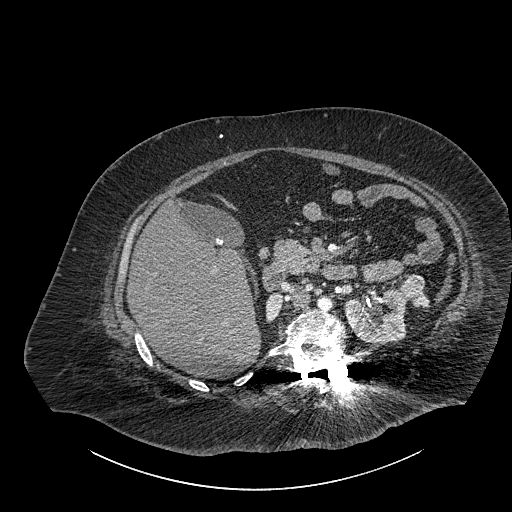
One axial slice (568 of 834, counting up from the lowest) of a contrast-enhanced abdominal CT acquired with 140 kVp, kernel I30f; each pixel is 0.977 mm and the slice is 1.00 mm thick.
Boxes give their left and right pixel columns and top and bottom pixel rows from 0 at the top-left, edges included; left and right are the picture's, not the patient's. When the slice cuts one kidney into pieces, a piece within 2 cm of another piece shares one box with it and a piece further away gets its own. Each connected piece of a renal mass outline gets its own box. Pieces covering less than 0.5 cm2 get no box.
Three boxes on this slice (two kidney boxes and one renal mass box), listed by box centre from the image's left to its right. (1) Right part of the midline-crossing kidney in the box with left 265, top 292, right 282, bottom 321 (outlined area 400 px, about 3.8 cm2). (2) Left part of the midline-crossing kidney, the box with left 344, top 288, right 406, bottom 343 (outlined area 2,657 px, about 25.3 cm2). (3) Box with left 398, top 274, right 429, bottom 307: renal mass (outlined area 737 px, about 7.0 cm2).